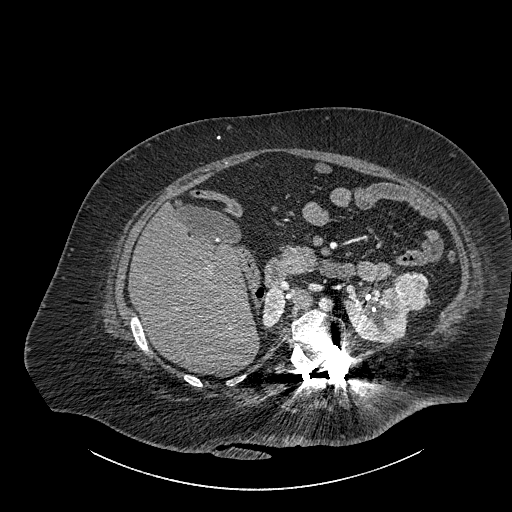
Contrast-enhanced abdominal CT, axial slice 556 of 834 (counted from the lowest slice); tube voltage 140 kVp, convolution kernel I30f; slices 1.00 mm thick, 0.977 mm per pixel.
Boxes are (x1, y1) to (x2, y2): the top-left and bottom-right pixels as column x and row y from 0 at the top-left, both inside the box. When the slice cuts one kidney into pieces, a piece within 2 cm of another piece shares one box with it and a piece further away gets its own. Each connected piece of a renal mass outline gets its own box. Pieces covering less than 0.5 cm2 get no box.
Boxed on this slice (two kidney boxes and one renal mass box), listed by box centre from the image's left to its right: (1) Right part of the midline-crossing kidney from (262, 287) to (284, 327) (outlined area 706 px, about 6.7 cm2). (2) Left part of the midline-crossing kidney, box (344, 286) to (409, 343) (outlined area 2,550 px, about 24.3 cm2). (3) Renal mass, box (394, 271) to (428, 310) (outlined area 1,117 px, about 10.7 cm2).